Axial slice 365 of 439 of a contrast-enhanced abdominal CT (slice 1 is the lowest), 100 kVp, kernel I40f; 2.00 mm slice thickness and 0.850 mm pixels.
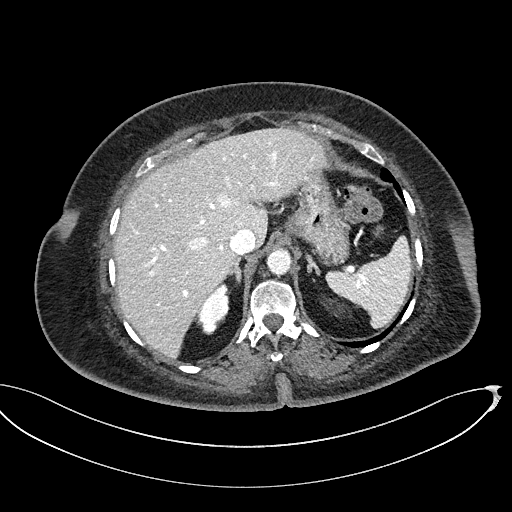
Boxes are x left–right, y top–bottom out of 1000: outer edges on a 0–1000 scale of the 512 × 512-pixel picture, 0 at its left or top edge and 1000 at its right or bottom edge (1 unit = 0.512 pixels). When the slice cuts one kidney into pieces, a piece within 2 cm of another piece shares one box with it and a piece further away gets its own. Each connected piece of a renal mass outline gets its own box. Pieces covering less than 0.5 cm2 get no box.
Right kidney at x 381–451, y 551–654 out of 1000 (outlined area 1,153 px, about 8.3 cm2). No renal mass outline on this slice.